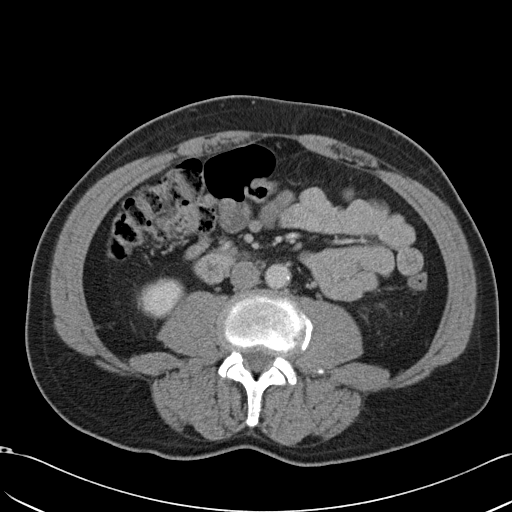
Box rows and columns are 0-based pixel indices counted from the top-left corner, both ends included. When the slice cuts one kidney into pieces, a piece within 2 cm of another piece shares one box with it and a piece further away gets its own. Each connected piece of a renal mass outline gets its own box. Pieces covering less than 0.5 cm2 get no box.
Arterial-phase contrast-enhanced abdominal CT, axial slice 10 of 49 (counted from the lowest slice); 5.00 mm thick, 0.691 mm per pixel. Right kidney, box rows 278–319, columns 137–184 (outlined area 1,406 px, about 6.7 cm2). No renal mass is outlined on this slice.
Scan settings: 120 kVp, B31f reconstruction kernel.